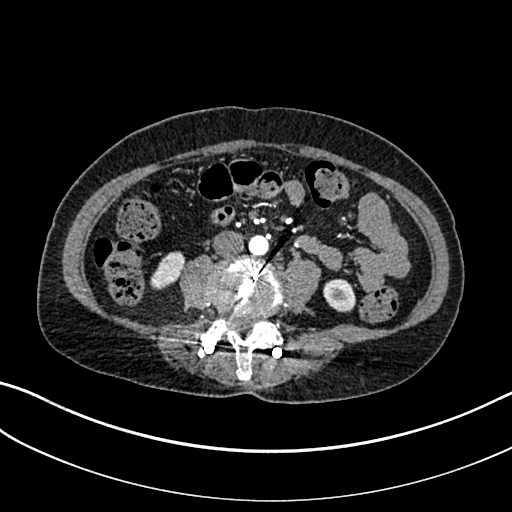
Abdominal CT with intravenous contrast, arterial phase, axial plane, 100 kVp, kernel I30f. Slice 58/325 from the bottom of the scan; thickness 1.00 mm; pixel size 0.703 mm.
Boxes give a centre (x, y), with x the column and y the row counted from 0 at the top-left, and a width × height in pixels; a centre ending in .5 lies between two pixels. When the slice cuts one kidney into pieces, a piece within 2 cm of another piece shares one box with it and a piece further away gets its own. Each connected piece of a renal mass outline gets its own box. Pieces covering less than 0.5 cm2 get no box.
Two kidney boxes on this slice; by box centre, from the image's left to its right: (1) Box centre (167.5, 270), 36 × 39 pixels: right kidney (outlined area 893 px, about 4.4 cm2). (2) Left kidney, box centre (339, 295.5), 33 × 34 pixels (outlined area 870 px, about 4.3 cm2). No renal mass is outlined on this slice.